Axial slice 82 of 538 of a contrast-enhanced abdominal CT in the arterial phase (slice 1 is the lowest), 120 kVp, kernel B30f; 1.00 mm slice thickness and 0.811 mm pixels.
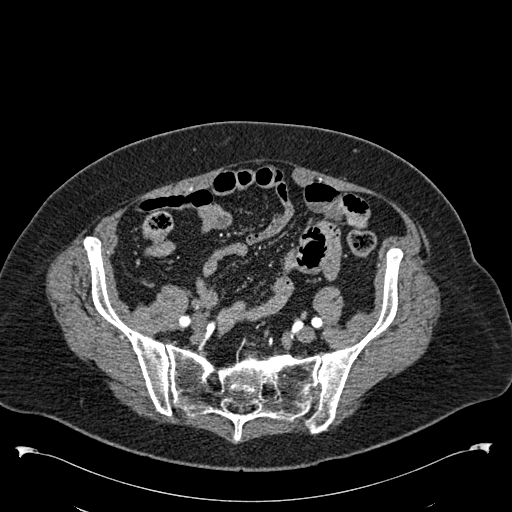
Outside the outlined region: no kidney outline and no renal mass outline on this slice. The scan's outlines cover only kidneys and renal masses; no other organ is outlined.